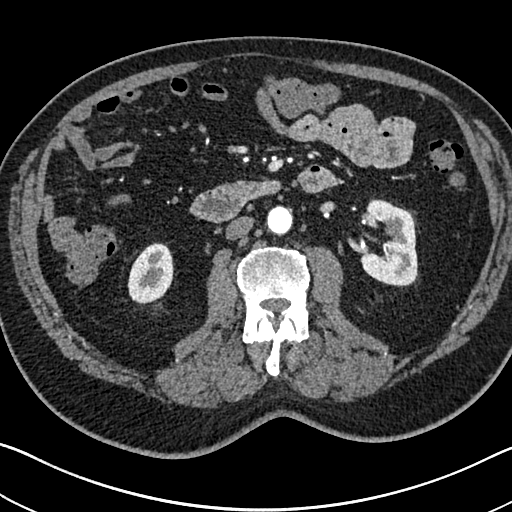
Abdominal CT with intravenous contrast, arterial phase, axial plane, 120 kVp, kernel I30f. Slice 380/705 from the bottom of the scan; thickness 1.00 mm; pixel size 0.703 mm.
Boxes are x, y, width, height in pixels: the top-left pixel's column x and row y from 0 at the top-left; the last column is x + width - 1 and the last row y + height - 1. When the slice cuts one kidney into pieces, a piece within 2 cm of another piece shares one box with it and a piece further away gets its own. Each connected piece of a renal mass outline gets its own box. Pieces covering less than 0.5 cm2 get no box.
Two boxes on this slice (two kidney boxes), listed by box centre from the image's left to its right. (1) Right kidney, box x 127, y 242, width 47, height 63 (outlined area 2,173 px, about 10.7 cm2). (2) Left kidney at x 360, y 199, width 59, height 88 (outlined area 3,840 px, about 19.0 cm2). This slice carries no renal mass outline.